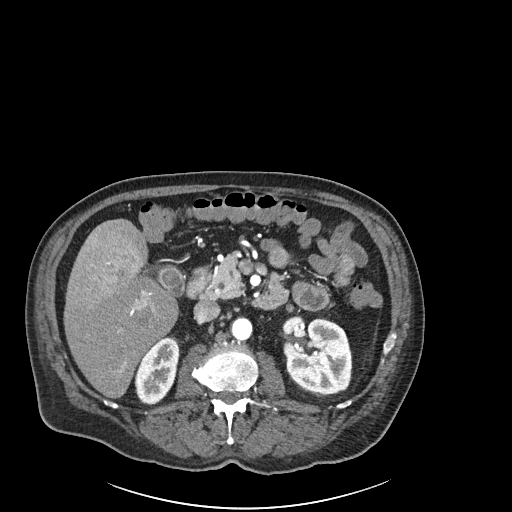
Abdominal CT with intravenous contrast, arterial phase, axial plane, 120 kVp, kernel I30f. Slice 114/261 from the bottom of the scan; thickness 2.00 mm; pixel size 0.939 mm.
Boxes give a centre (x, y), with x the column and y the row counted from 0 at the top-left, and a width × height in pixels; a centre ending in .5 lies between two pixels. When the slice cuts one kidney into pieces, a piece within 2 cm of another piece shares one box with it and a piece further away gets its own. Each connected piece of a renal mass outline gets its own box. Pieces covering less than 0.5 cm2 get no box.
Boxed on this slice (two kidney boxes), listed by box centre from the image's left to its right: (1) Right kidney, box centre (157, 370.5), 47 × 70 pixels (outlined area 2,243 px, about 19.8 cm2). (2) Left kidney in a box with centre (317.5, 354), 70 × 79 pixels (outlined area 4,286 px, about 37.8 cm2). No renal mass is outlined on this slice.